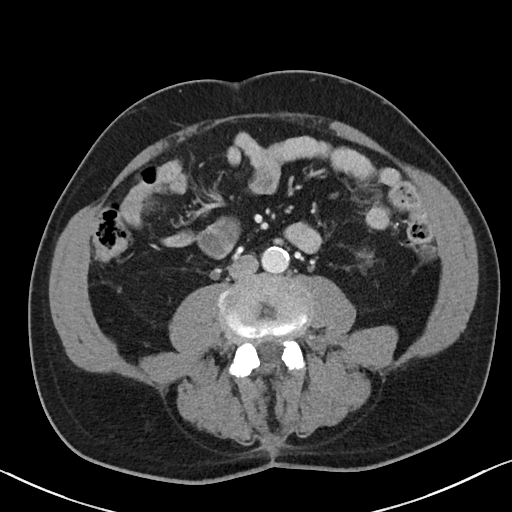
Axial slice 47 of 90 of a contrast-enhanced abdominal CT (slice 1 is the lowest), 100 kVp, kernel I40f; 5.00 mm slice thickness and 0.684 mm pixels.
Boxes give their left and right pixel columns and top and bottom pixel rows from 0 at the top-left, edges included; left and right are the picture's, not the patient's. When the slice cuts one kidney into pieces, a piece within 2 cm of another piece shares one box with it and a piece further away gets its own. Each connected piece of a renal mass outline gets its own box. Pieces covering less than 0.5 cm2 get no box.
Box with left 356, top 249, right 373, bottom 265: left kidney (outlined area 164 px, about 0.8 cm2). No renal mass is outlined on this slice.